Axial slice 61 of 91 of a contrast-enhanced abdominal CT (slice 1 is the lowest), 120 kVp, kernel B41f; 5.00 mm slice thickness and 0.762 mm pixels.
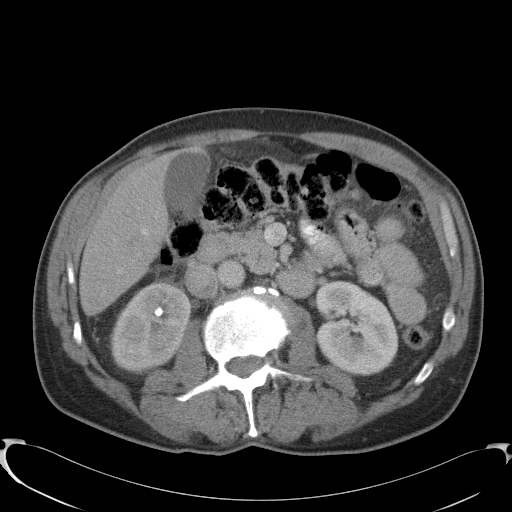
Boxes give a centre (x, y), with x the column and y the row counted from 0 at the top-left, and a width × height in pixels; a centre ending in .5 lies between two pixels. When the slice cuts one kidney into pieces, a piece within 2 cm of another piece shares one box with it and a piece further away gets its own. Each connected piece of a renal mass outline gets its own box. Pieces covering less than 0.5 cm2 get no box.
Two kidney boxes on this slice; by box centre, from the image's left to its right: (1) Right kidney, box centre (150.5, 327), 82 × 91 pixels (outlined area 5,533 px, about 32.1 cm2). (2) Box centre (356, 328), 85 × 97 pixels: left kidney (outlined area 6,216 px, about 36.1 cm2). No renal mass outline on this slice.